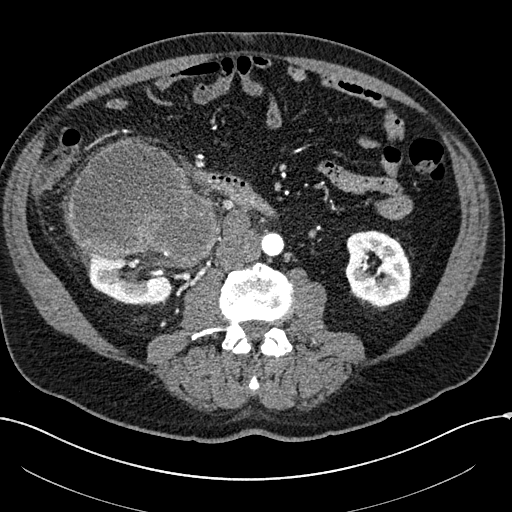
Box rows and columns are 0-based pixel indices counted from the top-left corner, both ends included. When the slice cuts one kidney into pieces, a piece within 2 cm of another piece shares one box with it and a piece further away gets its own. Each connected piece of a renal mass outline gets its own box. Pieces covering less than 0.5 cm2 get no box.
Arterial-phase contrast-enhanced abdominal CT, axial slice 74 of 304 (counted from the lowest slice); 2.00 mm thick, 0.809 mm per pixel. Boxed on this slice (two kidney boxes and one renal mass box), listed by box centre from the image's left to its right: (1) Right kidney at rows 252–305, columns 89–172 (outlined area 3,462 px, about 22.6 cm2). (2) Box rows 139–268, columns 66–219: right renal mass (outlined area 14,265 px, about 93.3 cm2). (3) Left kidney at rows 230–306, columns 345–411 (outlined area 3,932 px, about 25.7 cm2).
Scan settings: 100 kVp, I30f reconstruction kernel.